One axial slice (450 of 834, counting up from the lowest) of a contrast-enhanced abdominal CT acquired with 140 kVp, kernel I30f; each pixel is 0.977 mm and the slice is 1.00 mm thick.
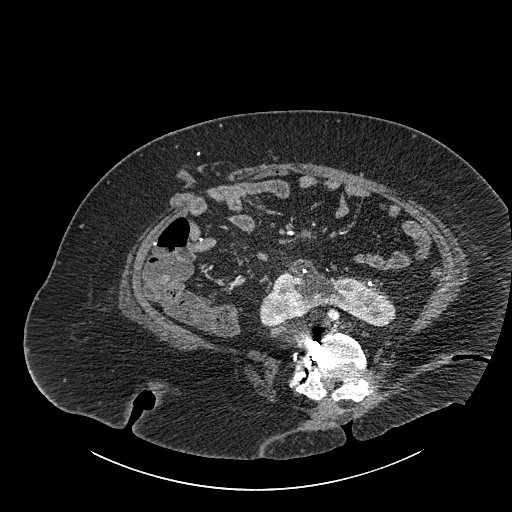
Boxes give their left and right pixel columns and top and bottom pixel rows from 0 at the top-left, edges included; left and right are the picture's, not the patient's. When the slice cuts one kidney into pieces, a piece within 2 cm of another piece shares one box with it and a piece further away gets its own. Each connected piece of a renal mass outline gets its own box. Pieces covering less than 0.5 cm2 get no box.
Kidney crossing the body midline in the box with left 259, top 259, right 395, bottom 328 (outlined area 5,330 px, about 50.8 cm2). No renal mass is outlined on this slice.